One axial slice (69 of 121, counting up from the lowest) of a contrast-enhanced abdominal CT acquired with 120 kVp, kernel STANDARD; each pixel is 0.742 mm and the slice is 2.50 mm thick.
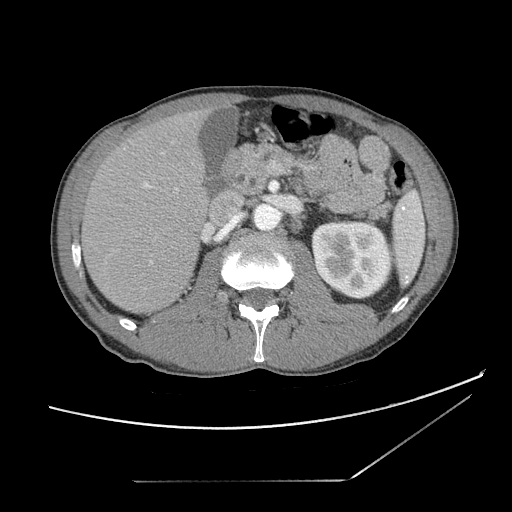
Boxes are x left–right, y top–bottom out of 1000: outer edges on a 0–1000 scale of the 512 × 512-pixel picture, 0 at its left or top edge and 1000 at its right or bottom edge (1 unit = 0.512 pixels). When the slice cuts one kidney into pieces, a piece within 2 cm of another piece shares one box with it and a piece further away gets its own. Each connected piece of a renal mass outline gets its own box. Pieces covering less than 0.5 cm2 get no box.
Box x 607–764, y 428–586 out of 1000: left kidney (outlined area 5,236 px, about 28.8 cm2). This slice carries no renal mass outline.